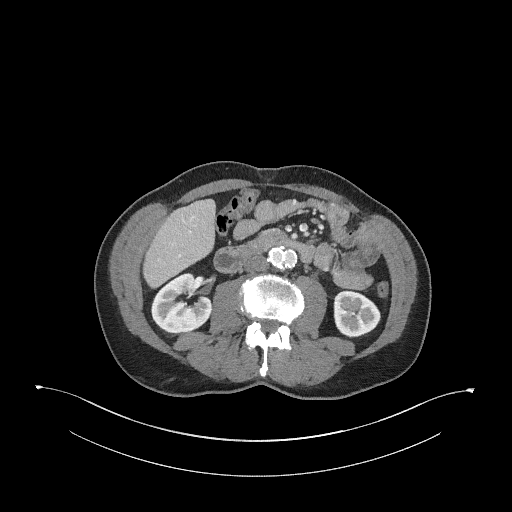
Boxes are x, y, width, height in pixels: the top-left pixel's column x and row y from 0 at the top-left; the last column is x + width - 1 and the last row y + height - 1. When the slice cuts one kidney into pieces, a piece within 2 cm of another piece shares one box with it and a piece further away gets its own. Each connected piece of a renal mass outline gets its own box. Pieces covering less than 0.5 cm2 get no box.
This is axial slice 142 of 345 (slice 1 is the lowest) of an arterial-phase abdominal CT with contrast; each pixel is 0.977 mm and the slice is 2.00 mm thick. Boxed on this slice (two kidney boxes), listed by box centre from the image's left to its right: (1) Right kidney, box x 151, y 273, width 61, height 63 (outlined area 2,747 px, about 26.2 cm2). (2) Left kidney at x 333, y 290, width 48, height 48 (outlined area 1,784 px, about 17.0 cm2). No renal mass outline on this slice.
Acquired at 120 kVp and reconstructed with the I31f kernel.